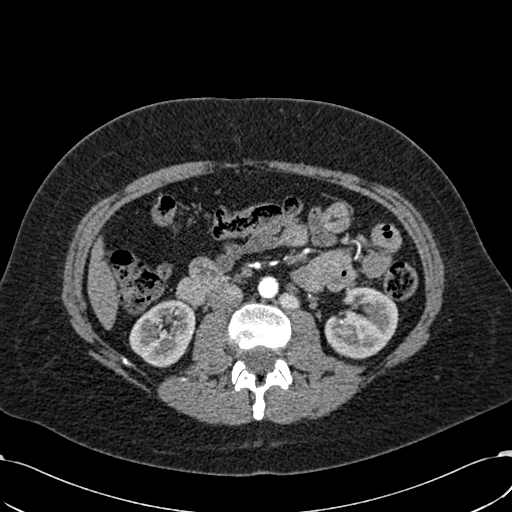
Arterial-phase contrast-enhanced abdominal CT, axial slice 318 of 532 (counted from the lowest slice); tube voltage 120 kVp, convolution kernel B30f; slices 1.00 mm thick, 0.713 mm per pixel.
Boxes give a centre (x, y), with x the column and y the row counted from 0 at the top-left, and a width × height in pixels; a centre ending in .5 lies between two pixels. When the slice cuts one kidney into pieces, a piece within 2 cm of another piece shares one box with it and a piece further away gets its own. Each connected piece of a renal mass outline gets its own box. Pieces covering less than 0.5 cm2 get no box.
Boxed on this slice (two kidney boxes), listed by box centre from the image's left to its right: (1) Box centre (162, 333), 67 × 69 pixels: right kidney (outlined area 3,298 px, about 16.8 cm2). (2) Box centre (361, 322), 75 × 75 pixels: left kidney (outlined area 3,906 px, about 19.9 cm2). No renal mass is outlined on this slice.